Contrast-enhanced abdominal CT, axial slice 4 of 94 (counted from the lowest slice); tube voltage 120 kVp, convolution kernel B41f; slices 3.00 mm thick, 0.977 mm per pixel.
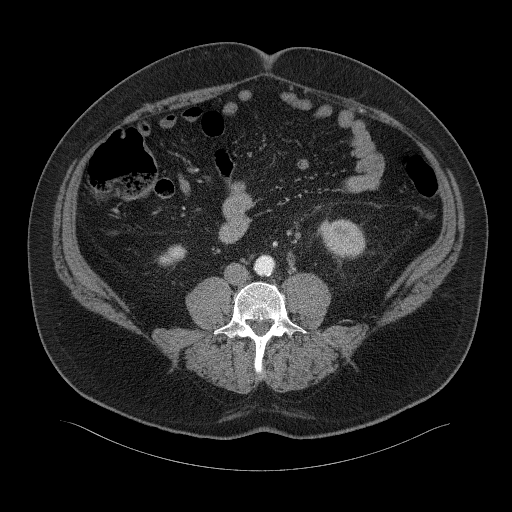
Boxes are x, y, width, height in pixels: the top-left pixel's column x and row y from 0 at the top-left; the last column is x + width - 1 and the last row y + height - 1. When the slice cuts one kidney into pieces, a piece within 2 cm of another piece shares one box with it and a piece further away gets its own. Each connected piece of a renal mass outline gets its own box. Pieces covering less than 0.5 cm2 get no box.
Two boxes on this slice (two kidney boxes), listed by box centre from the image's left to its right. (1) Box x 157, y 244, width 30, height 23: right kidney (outlined area 411 px, about 3.9 cm2). (2) Left kidney at x 320, y 219, width 46, height 41 (outlined area 1,408 px, about 13.4 cm2). This slice carries no renal mass outline.